Arterial-phase contrast-enhanced abdominal CT, axial slice 45 of 96 (counted from the lowest slice); tube voltage 130 kVp, convolution kernel B30s; slices 3.00 mm thick, 0.781 mm per pixel.
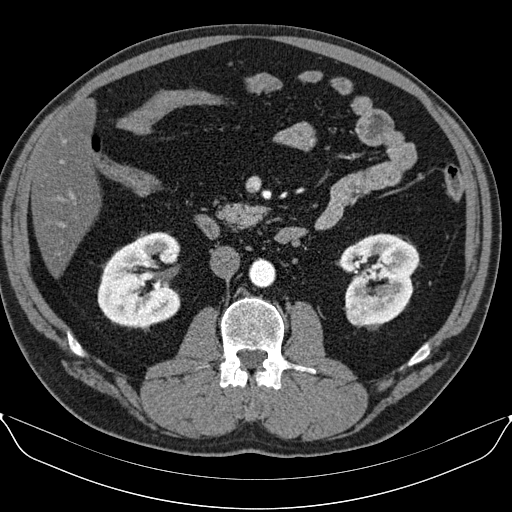
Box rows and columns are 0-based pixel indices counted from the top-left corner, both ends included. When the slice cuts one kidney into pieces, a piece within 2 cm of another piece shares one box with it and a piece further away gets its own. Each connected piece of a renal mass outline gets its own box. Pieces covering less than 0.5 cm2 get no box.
Boxed on this slice (two kidney boxes and one renal mass box), listed by box centre from the image's left to its right: (1) Right kidney, box rows 232–326, columns 97–181 (outlined area 6,123 px, about 37.4 cm2). (2) Box rows 308–325, columns 345–363: left renal mass (outlined area 250 px, about 1.5 cm2). (3) Left kidney, box rows 233–326, columns 339–419 (outlined area 5,304 px, about 32.4 cm2).